One axial slice (24 of 94, counting up from the lowest) of an arterial-phase abdominal CT acquired with 100 kVp, kernel I41f; each pixel is 0.551 mm and the slice is 5.00 mm thick.
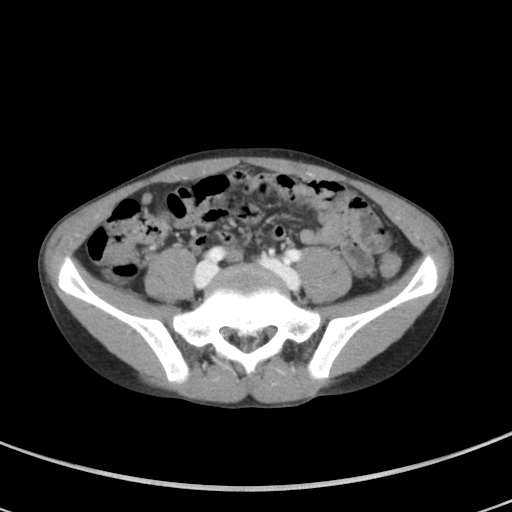
Outside the outlined region: no kidney outline and no renal mass outline on this slice. The scan's outlines cover only kidneys and renal masses; no other organ is outlined.